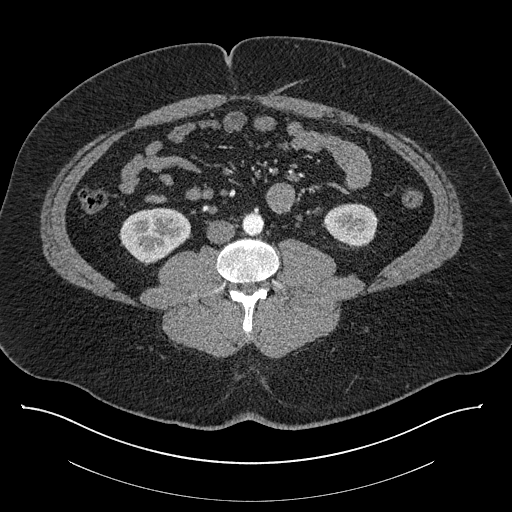
Contrast-enhanced abdominal CT, axial slice 374 of 787 (counted from the lowest slice); tube voltage 140 kVp, convolution kernel I30f; slices 1.00 mm thick, 0.910 mm per pixel.
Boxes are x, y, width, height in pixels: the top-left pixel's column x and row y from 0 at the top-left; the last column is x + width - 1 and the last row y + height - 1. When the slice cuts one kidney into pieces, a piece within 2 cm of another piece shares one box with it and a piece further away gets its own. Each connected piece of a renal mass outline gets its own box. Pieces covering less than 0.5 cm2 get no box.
Two kidney boxes on this slice; by box centre, from the image's left to its right: (1) Right kidney at x 119, y 207, width 72, height 58 (outlined area 2,962 px, about 24.5 cm2). (2) Left kidney, box x 323, y 203, width 56, height 44 (outlined area 1,846 px, about 15.3 cm2). This slice carries no renal mass outline.